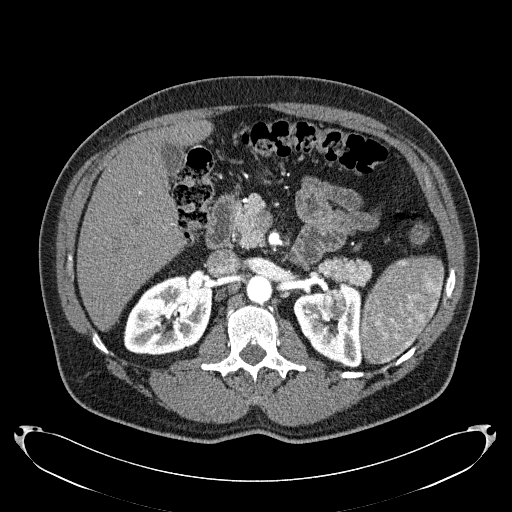
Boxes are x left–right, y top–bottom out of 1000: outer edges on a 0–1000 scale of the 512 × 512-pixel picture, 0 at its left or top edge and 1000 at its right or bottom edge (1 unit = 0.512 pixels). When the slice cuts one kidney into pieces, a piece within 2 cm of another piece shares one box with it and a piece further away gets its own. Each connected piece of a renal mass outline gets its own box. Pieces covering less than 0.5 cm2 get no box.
This is axial slice 137 of 279 (slice 1 is the lowest) of an arterial-phase abdominal CT with contrast; each pixel is 0.824 mm and the slice is 2.00 mm thick. Boxed on this slice (two kidney boxes and one renal mass box), listed by box centre from the image's left to its right: (1) Box x 240–416, y 535–695 out of 1000: right kidney (outlined area 5,411 px, about 36.8 cm2). (2) Left kidney at x 572–707, y 547–719 out of 1000 (outlined area 3,683 px, about 25.0 cm2). (3) Left renal mass, box x 623–678, y 563–627 out of 1000 (outlined area 702 px, about 4.8 cm2).
Scan settings: 120 kVp, B31f reconstruction kernel.